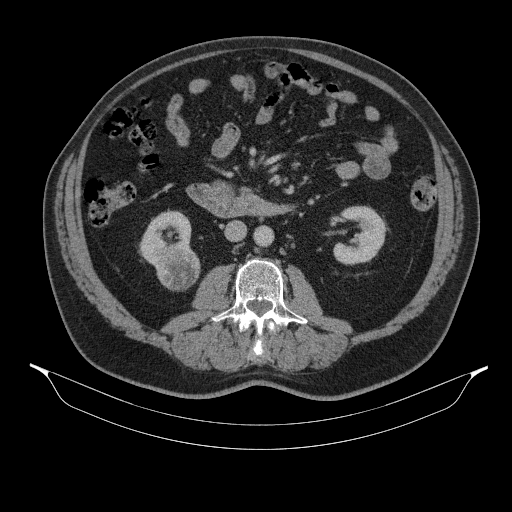
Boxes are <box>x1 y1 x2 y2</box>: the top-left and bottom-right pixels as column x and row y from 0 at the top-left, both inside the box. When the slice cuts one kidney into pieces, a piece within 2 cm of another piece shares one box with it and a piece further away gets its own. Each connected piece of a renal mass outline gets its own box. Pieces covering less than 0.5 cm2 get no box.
Contrast-enhanced abdominal CT, axial slice 184 of 314 (counted from the lowest slice); 2.50 mm thick, 0.934 mm per pixel. Boxed on this slice (two kidney boxes and one renal mass box), listed by box centre from the image's left to its right: (1) At <box>140 211 191 268</box>: right kidney (outlined area 1,680 px, about 14.6 cm2). (2) Right renal mass: <box>156 241 200 290</box> (outlined area 1,719 px, about 15.0 cm2). (3) At <box>333 205 386 265</box>: left kidney (outlined area 2,217 px, about 19.3 cm2).
Tube voltage 130 kVp; convolution kernel B31s.